One axial slice (262 of 723, counting up from the lowest) of an arterial-phase abdominal CT acquired with 120 kVp, kernel B30f; each pixel is 0.895 mm and the slice is 1.00 mm thick.
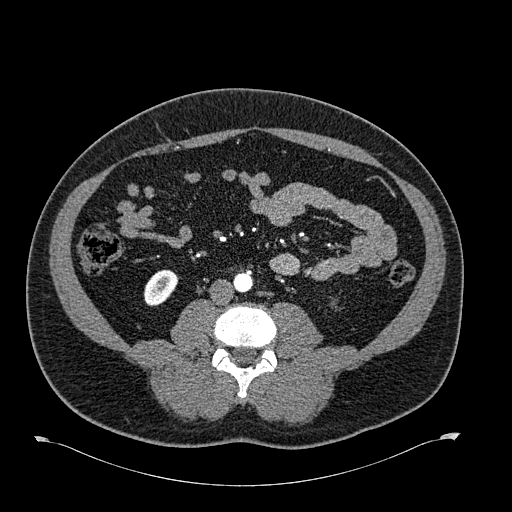
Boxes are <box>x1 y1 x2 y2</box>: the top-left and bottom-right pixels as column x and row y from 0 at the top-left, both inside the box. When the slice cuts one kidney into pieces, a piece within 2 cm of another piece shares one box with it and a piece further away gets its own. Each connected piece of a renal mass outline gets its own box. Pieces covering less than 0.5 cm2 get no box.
At <box>143 269 178 305</box>: right kidney (outlined area 918 px, about 7.3 cm2). No renal mass is outlined on this slice.